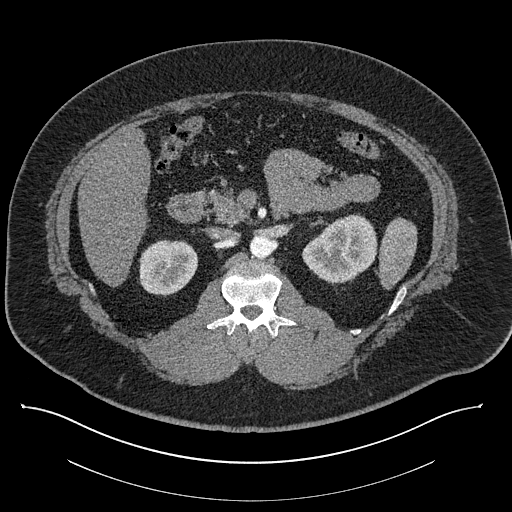
Axial slice 520 of 787 of a contrast-enhanced abdominal CT (slice 1 is the lowest), 140 kVp, kernel I30f; 1.00 mm slice thickness and 0.910 mm pixels.
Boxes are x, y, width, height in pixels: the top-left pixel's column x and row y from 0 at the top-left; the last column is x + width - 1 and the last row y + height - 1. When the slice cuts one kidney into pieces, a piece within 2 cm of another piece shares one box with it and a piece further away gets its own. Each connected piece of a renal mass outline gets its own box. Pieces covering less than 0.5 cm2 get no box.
Two kidney boxes on this slice; by box centre, from the image's left to its right: (1) Right kidney at x 139, y 239, width 60, height 58 (outlined area 2,677 px, about 22.2 cm2). (2) Box x 302, y 213, width 76, height 73: left kidney (outlined area 3,765 px, about 31.2 cm2). No renal mass outline on this slice.